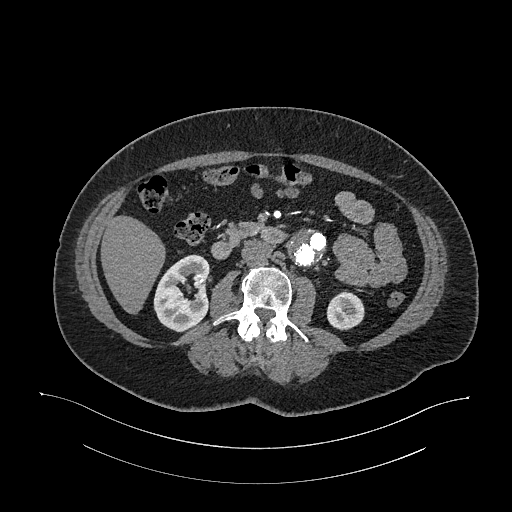
Axial slice 600 of 987 of a contrast-enhanced abdominal CT in the arterial phase (slice 1 is the lowest), 120 kVp, kernel I26f; 1.00 mm slice thickness and 0.977 mm pixels.
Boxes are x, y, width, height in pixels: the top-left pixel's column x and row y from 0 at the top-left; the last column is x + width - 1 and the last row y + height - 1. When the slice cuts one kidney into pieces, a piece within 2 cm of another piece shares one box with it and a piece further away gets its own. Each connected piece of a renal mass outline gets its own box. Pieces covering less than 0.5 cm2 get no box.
Two kidney boxes on this slice; by box centre, from the image's left to its right: (1) Right kidney, box x 153, y 254, width 58, height 79 (outlined area 3,261 px, about 31.1 cm2). (2) Left kidney, box x 326, y 290, width 39, height 40 (outlined area 1,162 px, about 11.1 cm2). This slice carries no renal mass outline.